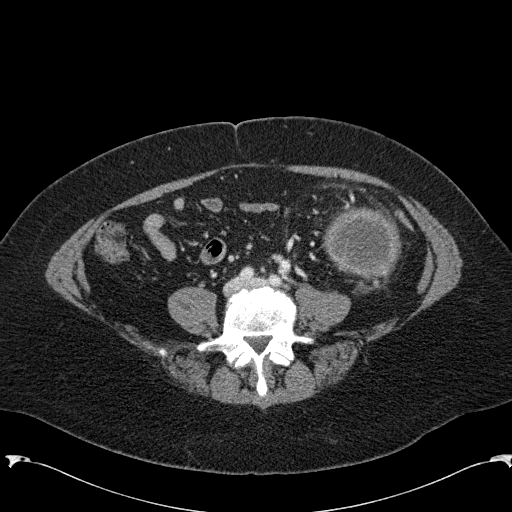
Arterial-phase contrast-enhanced abdominal CT, axial slice 25 of 285 (counted from the lowest slice); tube voltage 120 kVp, convolution kernel B31f; slices 2.00 mm thick, 0.762 mm per pixel.
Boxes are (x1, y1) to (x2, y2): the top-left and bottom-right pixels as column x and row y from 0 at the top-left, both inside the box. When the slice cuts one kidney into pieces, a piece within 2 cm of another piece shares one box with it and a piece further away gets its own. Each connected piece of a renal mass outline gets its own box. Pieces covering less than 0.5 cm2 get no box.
Box (322, 206) to (400, 280): left renal mass (outlined area 4,430 px, about 25.7 cm2); this slice has no kidney outline, though on another slice the same outlined renal mass lies within 1 cm of the kidney.